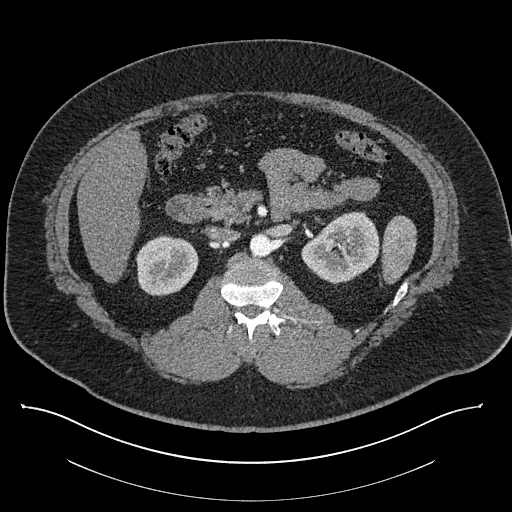
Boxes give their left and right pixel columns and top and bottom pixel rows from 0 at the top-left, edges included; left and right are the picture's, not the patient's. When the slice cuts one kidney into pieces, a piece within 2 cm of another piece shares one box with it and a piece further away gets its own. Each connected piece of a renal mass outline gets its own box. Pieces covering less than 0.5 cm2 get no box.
Contrast-enhanced abdominal CT, axial slice 514 of 787 (counted from the lowest slice); 1.00 mm thick, 0.910 mm per pixel. Two boxes on this slice (two kidney boxes), listed by box centre from the image's left to its right. (1) Right kidney, the box with left 135, top 235, right 198, bottom 296 (outlined area 3,015 px, about 25.0 cm2). (2) Box with left 301, top 211, right 379, bottom 284: left kidney (outlined area 4,042 px, about 33.5 cm2). No renal mass is outlined on this slice.
Scan settings: 140 kVp, I30f reconstruction kernel.